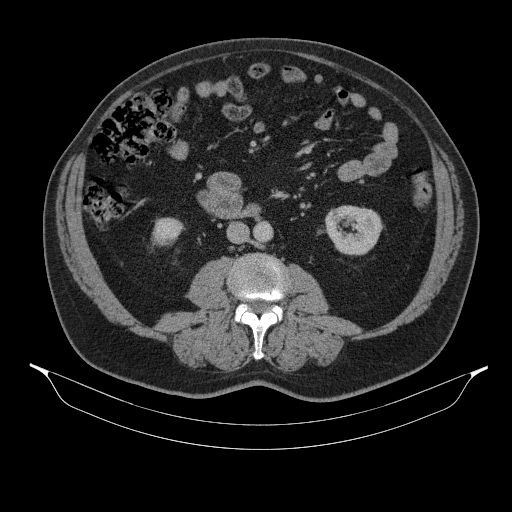
Abdominal CT with intravenous contrast, axial plane, 130 kVp, kernel B31s. Slice 174/314 from the bottom of the scan; thickness 2.50 mm; pixel size 0.934 mm.
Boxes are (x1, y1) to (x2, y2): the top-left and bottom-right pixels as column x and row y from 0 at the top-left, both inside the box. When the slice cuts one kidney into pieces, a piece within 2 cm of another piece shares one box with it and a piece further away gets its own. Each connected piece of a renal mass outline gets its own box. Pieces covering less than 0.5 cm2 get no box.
Boxed on this slice (two kidney boxes), listed by box centre from the image's left to its right: (1) Box (151, 217) to (183, 246): right kidney (outlined area 732 px, about 6.4 cm2). (2) Left kidney from (325, 205) to (383, 255) (outlined area 2,272 px, about 19.8 cm2). No renal mass outline on this slice.